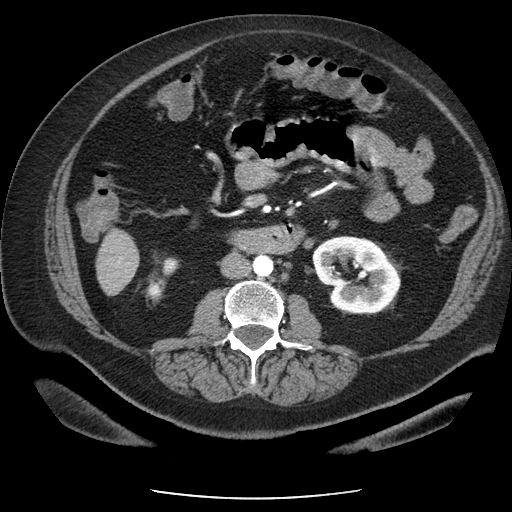
One axial slice (110 of 186, counting up from the lowest) of an arterial-phase abdominal CT acquired with 120 kVp, kernel STANDARD; each pixel is 0.742 mm and the slice is 2.50 mm thick.
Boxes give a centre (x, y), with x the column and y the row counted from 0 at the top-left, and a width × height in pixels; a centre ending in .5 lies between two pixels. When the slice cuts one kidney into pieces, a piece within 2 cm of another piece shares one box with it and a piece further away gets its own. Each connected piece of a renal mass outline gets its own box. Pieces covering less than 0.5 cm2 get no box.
Boxed on this slice (two kidney boxes), listed by box centre from the image's left to its right: (1) Box centre (162.5, 278.5), 34 × 44 pixels: right kidney (outlined area 537 px, about 3.0 cm2). (2) Left kidney in a box with centre (356, 274.5), 89 × 80 pixels (outlined area 5,082 px, about 28.0 cm2). No renal mass outline on this slice.